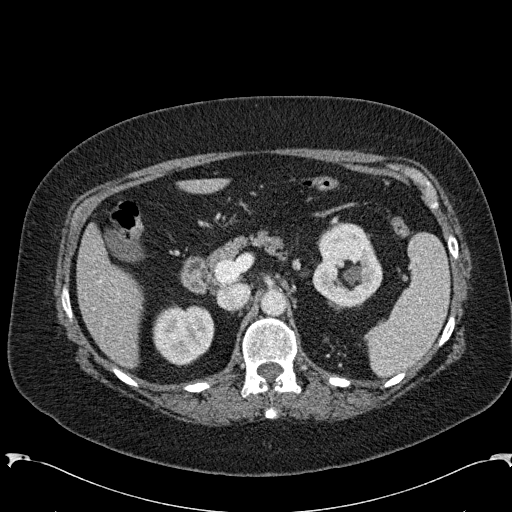
Abdominal CT with intravenous contrast, arterial phase, axial plane, 120 kVp, kernel B31f. Slice 160/285 from the bottom of the scan; thickness 2.00 mm; pixel size 0.762 mm.
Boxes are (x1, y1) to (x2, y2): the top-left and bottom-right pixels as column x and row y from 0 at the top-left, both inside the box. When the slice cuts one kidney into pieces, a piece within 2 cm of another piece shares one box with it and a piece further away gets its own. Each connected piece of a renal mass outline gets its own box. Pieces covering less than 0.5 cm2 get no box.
Two kidney boxes on this slice; by box centre, from the image's left to its right: (1) Right kidney, box (152, 304) to (214, 366) (outlined area 3,001 px, about 17.4 cm2). (2) Left kidney from (312, 222) to (382, 306) (outlined area 4,412 px, about 25.6 cm2). No renal mass outline on this slice.